One axial slice (89 of 157, counting up from the lowest) of an arterial-phase abdominal CT acquired with 120 kVp, kernel B30f; each pixel is 0.742 mm and the slice is 3.00 mm thick.
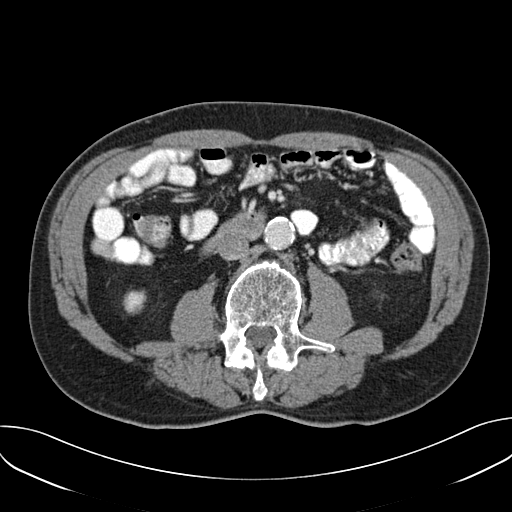
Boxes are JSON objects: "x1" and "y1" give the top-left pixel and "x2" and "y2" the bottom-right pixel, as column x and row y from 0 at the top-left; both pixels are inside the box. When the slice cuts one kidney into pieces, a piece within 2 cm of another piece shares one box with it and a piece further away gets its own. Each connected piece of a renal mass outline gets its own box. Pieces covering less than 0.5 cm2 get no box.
Box {"x1": 122, "y1": 290, "x2": 146, "y2": 314}: right kidney (outlined area 477 px, about 2.6 cm2). No renal mass is outlined on this slice.